One axial slice (348 of 735, counting up from the lowest) of an arterial-phase abdominal CT acquired with 120 kVp, kernel I30f; each pixel is 0.789 mm and the slice is 1.00 mm thick.
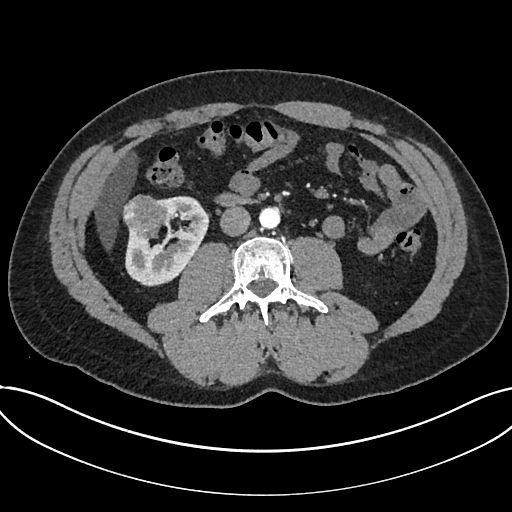
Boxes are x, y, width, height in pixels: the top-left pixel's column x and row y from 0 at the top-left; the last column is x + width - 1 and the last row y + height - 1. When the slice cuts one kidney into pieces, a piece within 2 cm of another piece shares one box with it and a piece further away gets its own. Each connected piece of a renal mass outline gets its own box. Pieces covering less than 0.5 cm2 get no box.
One kidney box and one renal mass box on this slice; by box centre, from the image's left to its right: (1) Box x 122, y 194, width 47, height 44: renal mass (outlined area 1,515 px, about 9.4 cm2). (2) Kidney at x 125, y 196, width 84, height 91 (outlined area 4,373 px, about 27.2 cm2).